One axial slice (116 of 274, counting up from the lowest) of an arterial-phase abdominal CT acquired with 120 kVp, kernel B30f; each pixel is 0.809 mm and the slice is 2.00 mm thick.
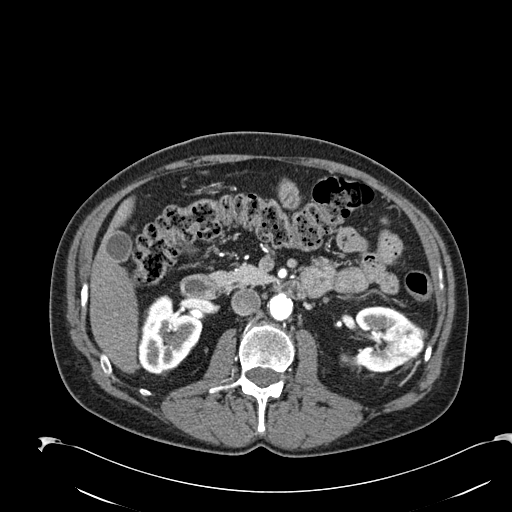
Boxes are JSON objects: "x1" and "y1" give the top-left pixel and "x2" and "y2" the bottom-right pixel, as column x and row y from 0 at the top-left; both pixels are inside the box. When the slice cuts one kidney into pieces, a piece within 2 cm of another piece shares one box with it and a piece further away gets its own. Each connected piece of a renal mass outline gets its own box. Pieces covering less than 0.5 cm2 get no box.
Boxed on this slice (two kidney boxes and one renal mass box), listed by box centre from the image's left to its right: (1) Right kidney at {"x1": 141, "y1": 294, "x2": 202, "y2": 374} (outlined area 3,451 px, about 22.6 cm2). (2) Box {"x1": 340, "y1": 306, "x2": 412, "y2": 374}: left kidney (outlined area 2,537 px, about 16.6 cm2). (3) Box {"x1": 385, "y1": 322, "x2": 427, "y2": 362}: left renal mass (outlined area 1,349 px, about 8.8 cm2).